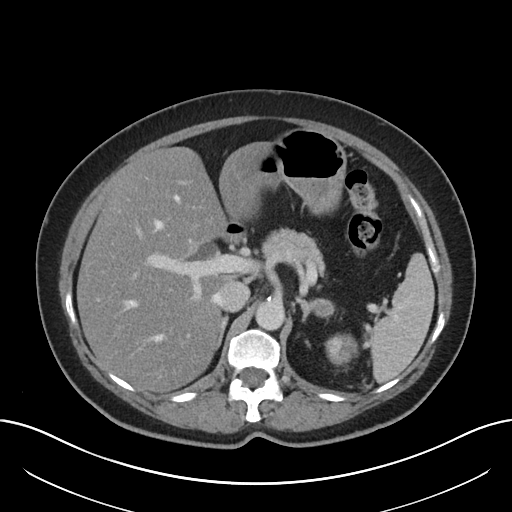
Contrast-enhanced abdominal CT, axial slice 140 of 197 (counted from the lowest slice); tube voltage 120 kVp, convolution kernel I30f; slices 5.00 mm thick, 0.791 mm per pixel.
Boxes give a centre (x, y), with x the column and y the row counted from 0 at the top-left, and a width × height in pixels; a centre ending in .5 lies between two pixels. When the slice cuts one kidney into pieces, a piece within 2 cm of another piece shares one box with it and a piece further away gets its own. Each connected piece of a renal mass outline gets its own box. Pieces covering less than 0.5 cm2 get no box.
Left renal mass, box centre (341, 349), 35 × 33 pixels (outlined area 843 px, about 5.3 cm2); no kidney is outlined on this slice, but the same outlined renal mass comes within 1 cm of the kidney on another slice.